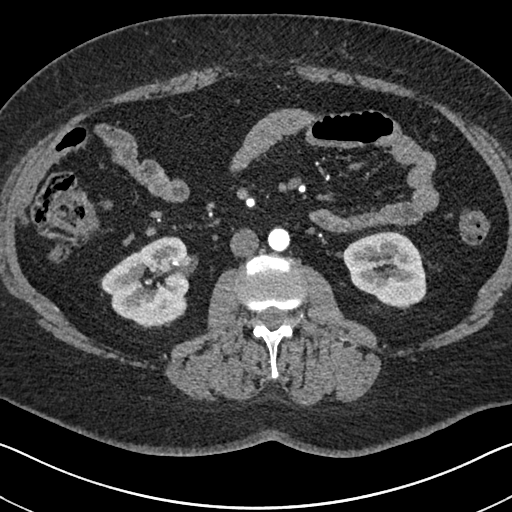
Arterial-phase contrast-enhanced abdominal CT, axial slice 348 of 591 (counted from the lowest slice); tube voltage 140 kVp, convolution kernel I30f; slices 1.00 mm thick, 0.703 mm per pixel.
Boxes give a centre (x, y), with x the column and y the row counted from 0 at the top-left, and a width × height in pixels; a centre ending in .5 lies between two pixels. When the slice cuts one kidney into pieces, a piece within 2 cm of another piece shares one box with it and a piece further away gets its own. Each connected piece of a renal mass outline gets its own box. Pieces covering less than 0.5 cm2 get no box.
Boxed on this slice (two kidney boxes), listed by box centre from the image's left to its right: (1) Box centre (144.5, 282.5), 90 × 92 pixels: right kidney (outlined area 5,802 px, about 28.7 cm2). (2) Left kidney, box centre (384.5, 269.5), 84 × 78 pixels (outlined area 4,779 px, about 23.6 cm2). No renal mass is outlined on this slice.